One axial slice (267 of 581, counting up from the lowest) of an arterial-phase abdominal CT acquired with 120 kVp, kernel B30f; each pixel is 0.713 mm and the slice is 1.00 mm thick.
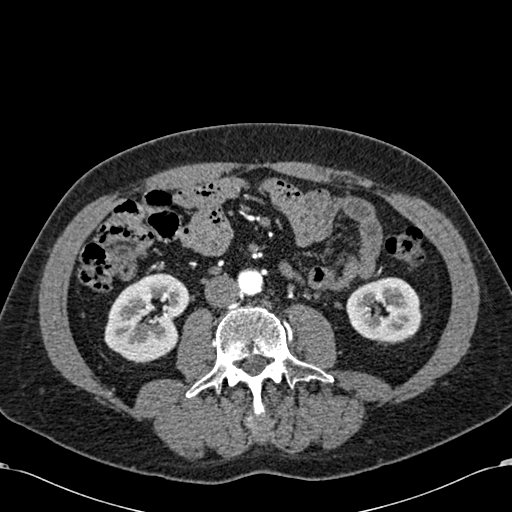
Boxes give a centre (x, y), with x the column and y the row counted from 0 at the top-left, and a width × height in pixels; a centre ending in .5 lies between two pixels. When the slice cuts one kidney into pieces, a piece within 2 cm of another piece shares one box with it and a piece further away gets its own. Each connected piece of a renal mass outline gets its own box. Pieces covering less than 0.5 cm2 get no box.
Two boxes on this slice (two kidney boxes), listed by box centre from the image's left to its right. (1) Box centre (147, 317.5), 87 × 92 pixels: right kidney (outlined area 5,479 px, about 27.8 cm2). (2) Left kidney, box centre (383.5, 310.5), 76 × 68 pixels (outlined area 3,929 px, about 20.0 cm2). No renal mass outline on this slice.